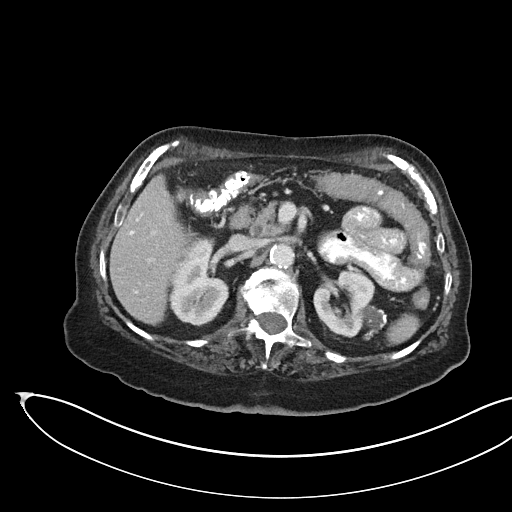
One axial slice (105 of 145, counting up from the lowest) of an arterial-phase abdominal CT acquired with 100 kVp, kernel I40f; each pixel is 0.834 mm and the slice is 3.00 mm thick.
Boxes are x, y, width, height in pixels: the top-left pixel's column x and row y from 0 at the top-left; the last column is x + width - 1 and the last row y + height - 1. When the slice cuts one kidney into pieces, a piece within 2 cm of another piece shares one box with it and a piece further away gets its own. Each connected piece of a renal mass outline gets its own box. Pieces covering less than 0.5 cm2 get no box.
Boxed on this slice (two kidney boxes), listed by box centre from the image's left to its right: (1) Box x 170, y 238, width 59, height 88: kidney (outlined area 3,580 px, about 24.9 cm2). (2) Kidney at x 313, y 270, width 75, height 71 (outlined area 3,347 px, about 23.3 cm2). No renal mass outline on this slice.